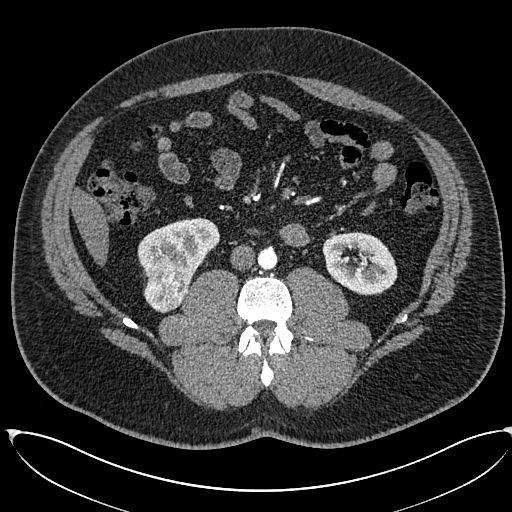
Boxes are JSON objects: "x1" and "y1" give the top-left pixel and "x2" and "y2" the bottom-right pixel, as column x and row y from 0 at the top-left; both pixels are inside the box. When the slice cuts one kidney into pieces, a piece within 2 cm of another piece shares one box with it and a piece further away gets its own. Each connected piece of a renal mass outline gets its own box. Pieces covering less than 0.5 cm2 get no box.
Slice 279/673 of a contrast-enhanced abdominal CT in the arterial phase, counting up from the lowest; pixel size 0.855 mm, slice thickness 1.00 mm. Boxed on this slice (two kidney boxes and one renal mass box), listed by box centre from the image's left to its right: (1) Box {"x1": 143, "y1": 263, "x2": 190, "y2": 312}: right renal mass (outlined area 1,751 px, about 12.8 cm2). (2) Right kidney at {"x1": 137, "y1": 218, "x2": 219, "y2": 280} (outlined area 3,300 px, about 24.2 cm2). (3) Left kidney, box {"x1": 322, "y1": 232, "x2": 396, "y2": 295} (outlined area 3,556 px, about 26.0 cm2).
Tube voltage 120 kVp; convolution kernel I30f.